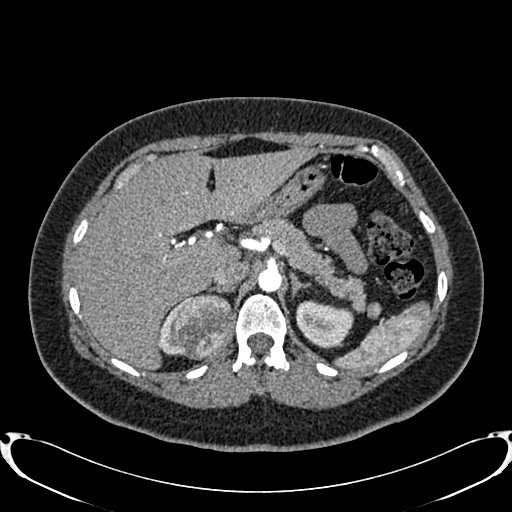
Abdominal CT with intravenous contrast, arterial phase, axial plane, 120 kVp, kernel B20f. Slice 579/719 from the bottom of the scan; thickness 1.00 mm; pixel size 0.766 mm.
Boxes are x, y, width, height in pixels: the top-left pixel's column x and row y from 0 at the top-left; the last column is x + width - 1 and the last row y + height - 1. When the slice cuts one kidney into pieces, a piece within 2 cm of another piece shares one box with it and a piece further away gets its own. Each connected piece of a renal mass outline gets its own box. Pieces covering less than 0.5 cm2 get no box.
Two kidney boxes and one renal mass box on this slice; by box centre, from the image's left to its right: (1) Right kidney, box x 158, y 296, width 37, height 60 (outlined area 710 px, about 4.2 cm2). (2) Right renal mass, box x 174, y 294, width 59, height 66 (outlined area 2,990 px, about 17.5 cm2). (3) Left kidney, box x 295, y 300, width 59, height 48 (outlined area 2,063 px, about 12.1 cm2).